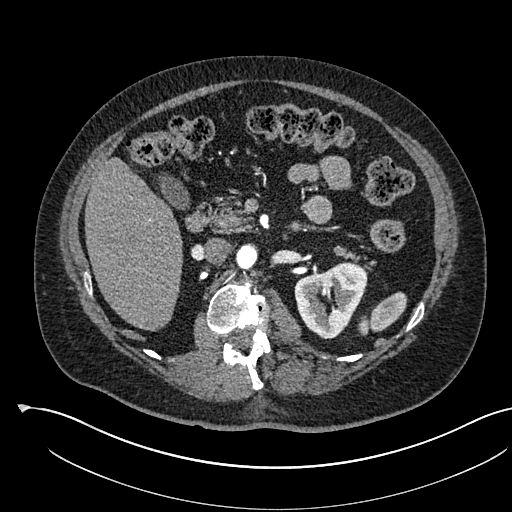
Axial slice 351 of 541 of a contrast-enhanced abdominal CT in the arterial phase (slice 1 is the lowest), 120 kVp, kernel I30f; 1.00 mm slice thickness and 0.834 mm pixels.
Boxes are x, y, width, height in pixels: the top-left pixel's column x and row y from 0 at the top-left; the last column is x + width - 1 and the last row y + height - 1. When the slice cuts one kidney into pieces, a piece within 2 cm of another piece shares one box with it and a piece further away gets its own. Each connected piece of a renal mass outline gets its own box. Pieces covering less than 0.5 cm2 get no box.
Left kidney, box x 294, y 262, width 74, height 78 (outlined area 3,844 px, about 26.7 cm2). No renal mass outline on this slice.